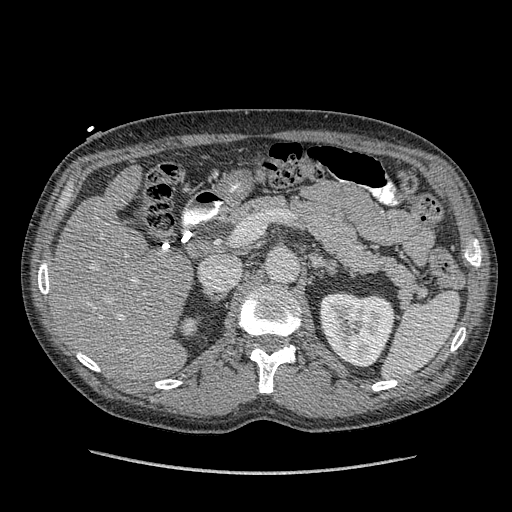
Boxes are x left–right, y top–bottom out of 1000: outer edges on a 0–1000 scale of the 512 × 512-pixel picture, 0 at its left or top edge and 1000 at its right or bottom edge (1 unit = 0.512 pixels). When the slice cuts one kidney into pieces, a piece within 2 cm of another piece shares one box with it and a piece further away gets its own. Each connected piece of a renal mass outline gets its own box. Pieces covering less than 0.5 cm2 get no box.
Arterial-phase contrast-enhanced abdominal CT, axial slice 242 of 349 (counted from the lowest slice); 1.25 mm thick, 0.742 mm per pixel. Two boxes on this slice (two kidney boxes), listed by box centre from the image's left to its right. (1) Box x 352–377, y 625–650 out of 1000: right kidney (outlined area 138 px, about 0.8 cm2). (2) Left kidney, box x 623–773, y 570–719 out of 1000 (outlined area 4,475 px, about 24.7 cm2). No renal mass outline on this slice.
Tube voltage 120 kVp; convolution kernel STANDARD.